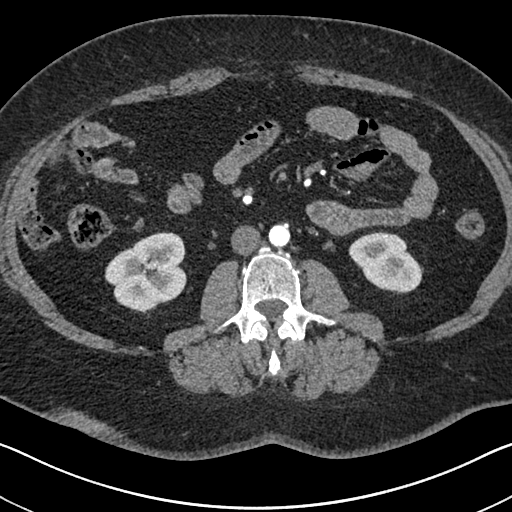
One axial slice (321 of 591, counting up from the lowest) of an arterial-phase abdominal CT acquired with 140 kVp, kernel I30f; each pixel is 0.703 mm and the slice is 1.00 mm thick.
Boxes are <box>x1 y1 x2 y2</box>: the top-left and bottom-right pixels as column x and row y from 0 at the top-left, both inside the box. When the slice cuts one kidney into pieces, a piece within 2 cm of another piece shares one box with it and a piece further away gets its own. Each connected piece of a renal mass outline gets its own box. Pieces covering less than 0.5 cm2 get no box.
Boxed on this slice (two kidney boxes), listed by box centre from the image's left to its right: (1) Right kidney at <box>104 232 186 313</box> (outlined area 4,798 px, about 23.7 cm2). (2) Left kidney: <box>348 231 423 293</box> (outlined area 3,189 px, about 15.8 cm2). No renal mass outline on this slice.